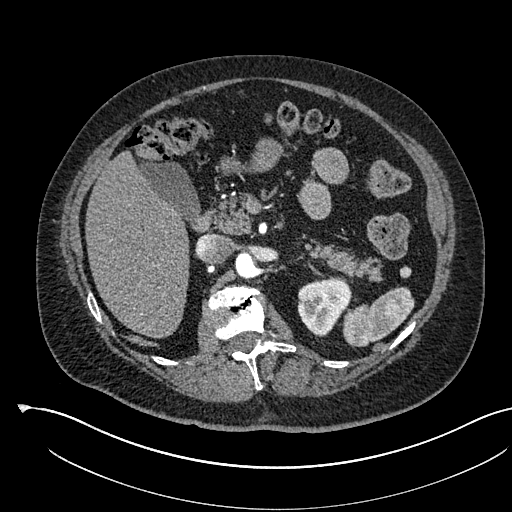
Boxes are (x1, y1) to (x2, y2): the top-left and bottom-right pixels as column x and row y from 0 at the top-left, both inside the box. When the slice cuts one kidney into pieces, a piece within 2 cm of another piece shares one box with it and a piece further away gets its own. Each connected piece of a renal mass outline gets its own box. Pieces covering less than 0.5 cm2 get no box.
This is axial slice 369 of 541 (slice 1 is the lowest) of an arterial-phase abdominal CT with contrast; each pixel is 0.834 mm and the slice is 1.00 mm thick. Left kidney from (297, 278) to (351, 336) (outlined area 2,310 px, about 16.1 cm2). No renal mass outline on this slice.
Acquired at 120 kVp and reconstructed with the I30f kernel.